Arterial-phase contrast-enhanced abdominal CT, axial slice 326 of 738 (counted from the lowest slice); tube voltage 120 kVp, convolution kernel I30f; slices 1.00 mm thick, 0.789 mm per pixel.
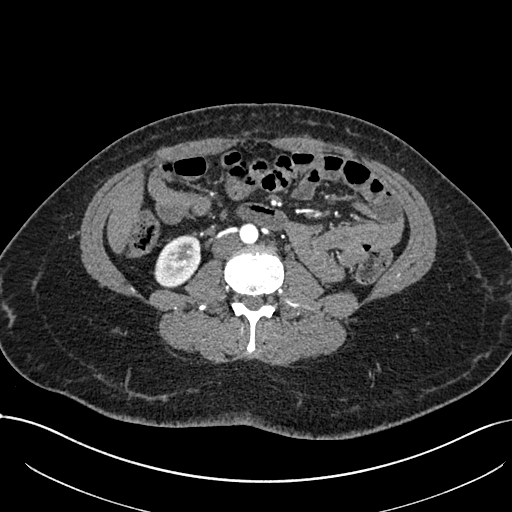
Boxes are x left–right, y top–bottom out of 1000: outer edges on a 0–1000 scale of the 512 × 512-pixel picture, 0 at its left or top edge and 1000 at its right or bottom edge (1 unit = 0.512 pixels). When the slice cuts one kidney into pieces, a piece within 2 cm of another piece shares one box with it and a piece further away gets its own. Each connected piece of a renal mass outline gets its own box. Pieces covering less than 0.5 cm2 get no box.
Right kidney at x 299–395, y 457–564 out of 1000 (outlined area 1,889 px, about 11.8 cm2). No renal mass outline on this slice.